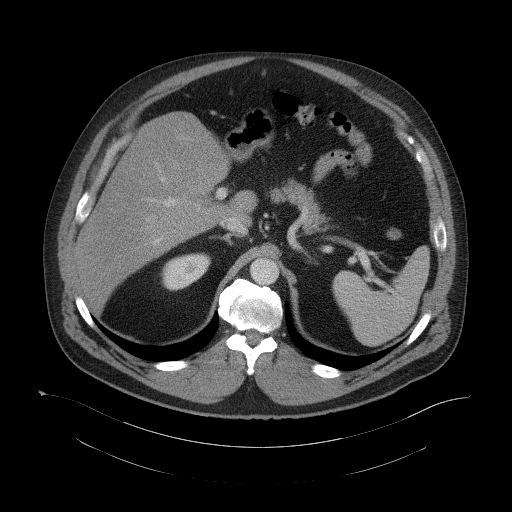
One axial slice (80 of 104, counting up from the lowest) of a contrast-enhanced abdominal CT acquired with 120 kVp, kernel B41f; each pixel is 0.977 mm and the slice is 5.00 mm thick.
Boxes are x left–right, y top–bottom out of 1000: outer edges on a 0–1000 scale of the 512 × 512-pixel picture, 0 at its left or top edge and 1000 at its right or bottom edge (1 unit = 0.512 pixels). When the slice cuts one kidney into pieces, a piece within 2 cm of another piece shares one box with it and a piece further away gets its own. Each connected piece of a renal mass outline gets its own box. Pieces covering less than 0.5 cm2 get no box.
Box x 313–412, y 492–568 out of 1000: right kidney (outlined area 1,373 px, about 13.1 cm2). No renal mass is outlined on this slice.